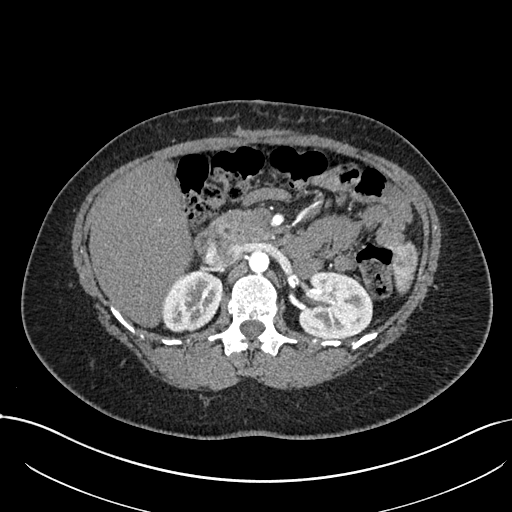
One axial slice (463 of 738, counting up from the lowest) of an arterial-phase abdominal CT acquired with 120 kVp, kernel I30f; each pixel is 0.789 mm and the slice is 1.00 mm thick.
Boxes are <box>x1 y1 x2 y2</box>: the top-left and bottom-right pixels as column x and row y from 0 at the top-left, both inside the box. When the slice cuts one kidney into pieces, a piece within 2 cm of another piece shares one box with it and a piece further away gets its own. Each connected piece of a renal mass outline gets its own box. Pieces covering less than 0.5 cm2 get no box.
Two boxes on this slice (two kidney boxes), listed by box centre from the image's left to its right. (1) Right kidney at <box>161 269 222 331</box> (outlined area 2,955 px, about 18.4 cm2). (2) Left kidney: <box>298 271 373 338</box> (outlined area 4,074 px, about 25.4 cm2). No renal mass is outlined on this slice.